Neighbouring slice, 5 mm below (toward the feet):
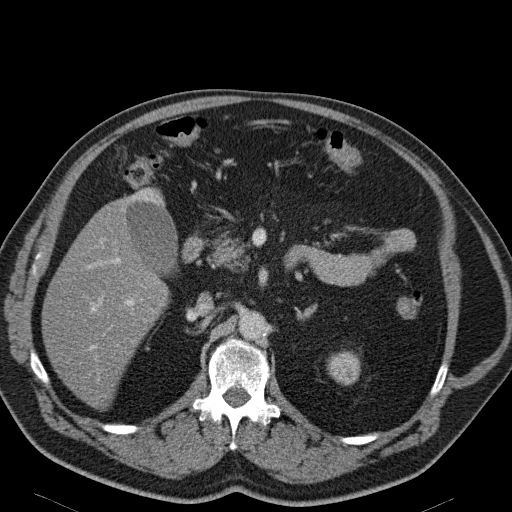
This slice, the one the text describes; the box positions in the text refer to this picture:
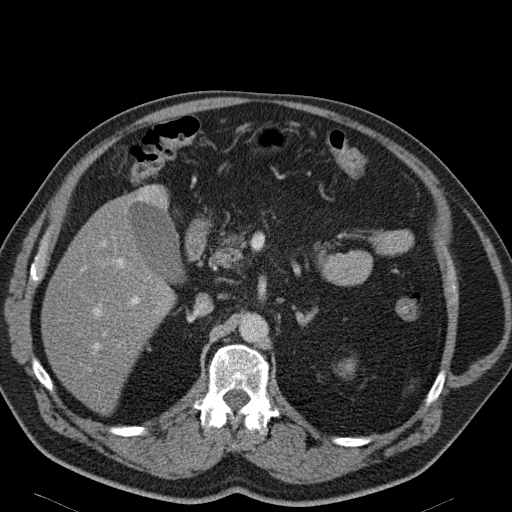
One axial slice (86 of 114, counting up from the lowest) of an arterial-phase abdominal CT acquired with 120 kVp, kernel B31f; each pixel is 0.781 mm and the slice is 5.00 mm thick.
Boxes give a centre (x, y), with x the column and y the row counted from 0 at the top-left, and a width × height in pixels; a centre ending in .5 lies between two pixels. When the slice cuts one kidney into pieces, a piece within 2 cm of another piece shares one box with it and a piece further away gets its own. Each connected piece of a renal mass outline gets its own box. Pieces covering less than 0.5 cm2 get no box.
Box centre (346.5, 367.5), 20 × 20 pixels: left renal mass (outlined area 284 px, about 1.7 cm2); no kidney is outlined on this slice, but the same outlined renal mass comes within 1 cm of the kidney on another slice. This slice lies near the end of the left renal mass toward the head; the slice 5 mm below it is shown too, and the boxes mark positions on this slice only.